Arterial-phase contrast-enhanced abdominal CT, axial slice 129 of 279 (counted from the lowest slice); tube voltage 120 kVp, convolution kernel B31f; slices 2.00 mm thick, 0.824 mm per pixel.
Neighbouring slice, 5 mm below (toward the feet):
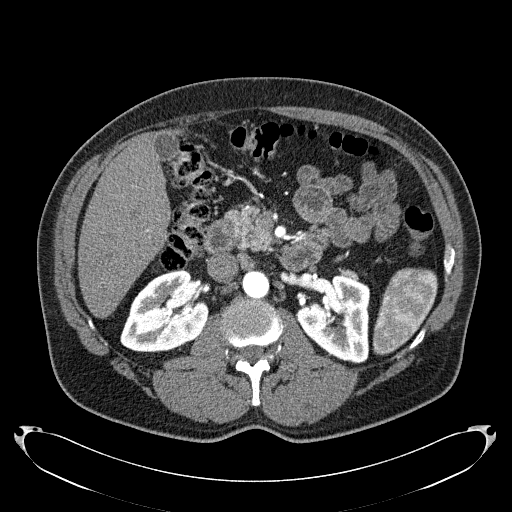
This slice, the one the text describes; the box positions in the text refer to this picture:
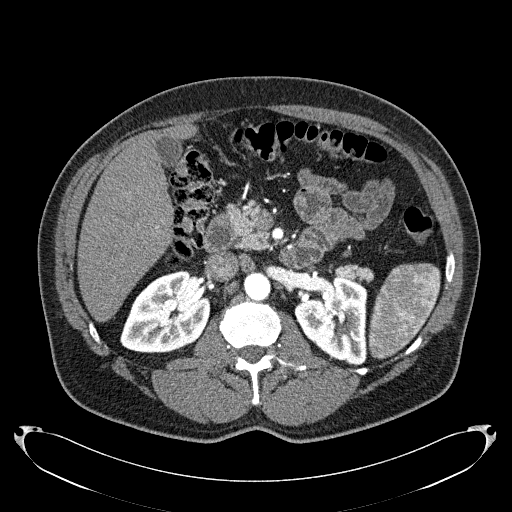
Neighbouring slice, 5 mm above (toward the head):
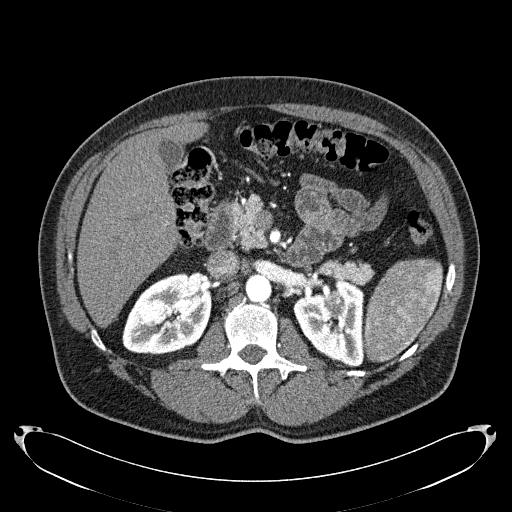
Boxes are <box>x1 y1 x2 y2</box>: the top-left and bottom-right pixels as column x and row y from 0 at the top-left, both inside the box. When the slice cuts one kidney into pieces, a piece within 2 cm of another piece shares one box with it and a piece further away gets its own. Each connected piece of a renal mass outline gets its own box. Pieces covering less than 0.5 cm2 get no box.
Two kidney boxes and one renal mass box on this slice; by box centre, from the image's left to its right: (1) At <box>120 270 210 353</box>: right kidney (outlined area 5,503 px, about 37.4 cm2). (2) Left kidney at <box>294 275 367 366</box> (outlined area 4,672 px, about 31.7 cm2). (3) Left renal mass at <box>330 297 342 309</box> (outlined area 145 px, about 1.0 cm2). This slice is near the end of the left renal mass toward the feet, so the slices 5 mm below and 5 mm above it are shown as well; the boxes refer to this slice only.